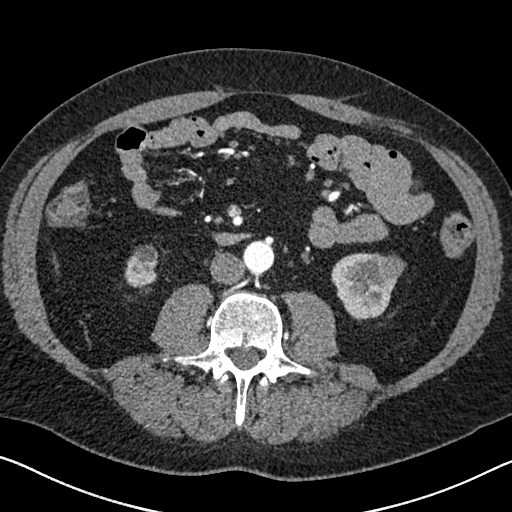
One axial slice (304 of 626, counting up from the lowest) of an arterial-phase abdominal CT acquired with 120 kVp, kernel I30f; each pixel is 0.703 mm and the slice is 1.00 mm thick.
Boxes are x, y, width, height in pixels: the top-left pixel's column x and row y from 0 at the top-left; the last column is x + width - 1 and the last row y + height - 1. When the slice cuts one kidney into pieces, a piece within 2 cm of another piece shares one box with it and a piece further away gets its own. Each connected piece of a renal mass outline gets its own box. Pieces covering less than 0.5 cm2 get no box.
Boxed on this slice (two kidney boxes and one renal mass box), listed by box centre from the image's left to its right: (1) Right kidney, box x 124, y 244, width 35, height 46 (outlined area 1,133 px, about 5.6 cm2). (2) Left kidney, box x 331, y 252, width 66, height 67 (outlined area 2,445 px, about 12.1 cm2). (3) Left renal mass, box x 356, y 253, width 51, height 33 (outlined area 1,152 px, about 5.7 cm2).